Axial slice 12 of 53 of a contrast-enhanced abdominal CT in the arterial phase (slice 1 is the lowest), 120 kVp, kernel B30f; 3.00 mm slice thickness and 0.547 mm pixels.
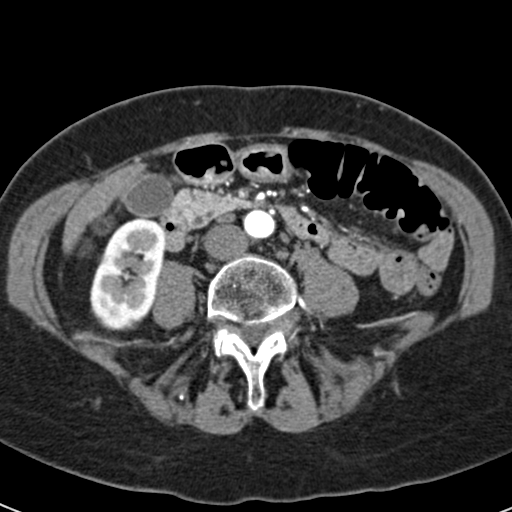
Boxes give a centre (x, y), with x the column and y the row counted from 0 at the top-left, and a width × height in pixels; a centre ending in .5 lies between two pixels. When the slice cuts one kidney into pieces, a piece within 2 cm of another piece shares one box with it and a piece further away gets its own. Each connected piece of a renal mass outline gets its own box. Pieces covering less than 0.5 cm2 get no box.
Right kidney in a box with centre (127, 273.5), 77 × 114 pixels (outlined area 6,375 px, about 19.1 cm2). This slice carries no renal mass outline.